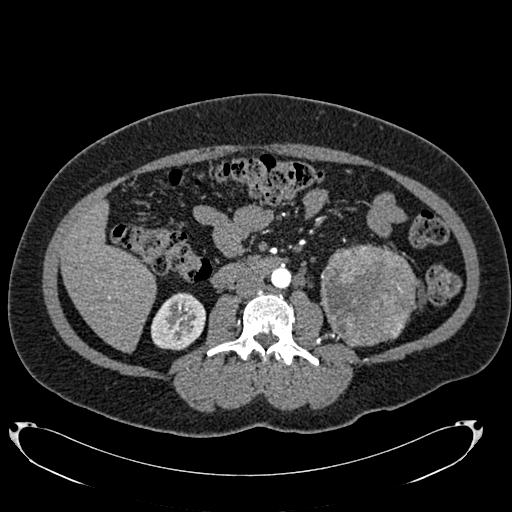
One axial slice (368 of 634, counting up from the lowest) of an arterial-phase abdominal CT acquired with 120 kVp, kernel B20f; each pixel is 0.838 mm and the slice is 1.00 mm thick.
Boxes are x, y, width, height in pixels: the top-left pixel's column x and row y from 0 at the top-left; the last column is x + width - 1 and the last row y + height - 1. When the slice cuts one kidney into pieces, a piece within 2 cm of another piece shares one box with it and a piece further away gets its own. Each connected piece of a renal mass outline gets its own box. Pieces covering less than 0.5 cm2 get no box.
Two boxes on this slice (one kidney box and one renal mass box), listed by box centre from the image's left to its right. (1) Right kidney at x 151, y 292, width 55, height 59 (outlined area 2,432 px, about 17.1 cm2). (2) Left renal mass, box x 320, y 244, width 96, height 103 (outlined area 7,929 px, about 55.7 cm2); it sits over 1 cm from every kidney outline on this slice, but the same outlined renal mass comes within 1 cm of the kidney on another slice.